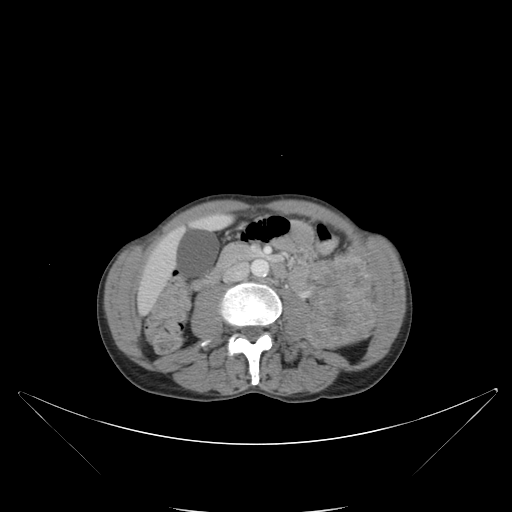
Axial slice 52 of 88 of a contrast-enhanced abdominal CT (slice 1 is the lowest), 120 kVp, kernel B; 5.00 mm slice thickness and 0.865 mm pixels.
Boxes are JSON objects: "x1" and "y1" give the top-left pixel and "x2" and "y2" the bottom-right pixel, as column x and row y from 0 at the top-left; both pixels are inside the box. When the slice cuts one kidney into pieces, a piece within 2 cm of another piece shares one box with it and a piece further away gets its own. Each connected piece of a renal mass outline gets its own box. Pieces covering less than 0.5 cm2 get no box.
Left renal mass, box {"x1": 307, "y1": 254, "x2": 376, "y2": 350} (outlined area 5,582 px, about 41.8 cm2); no kidney is outlined on this slice, but the same outlined renal mass comes within 1 cm of the kidney on another slice.